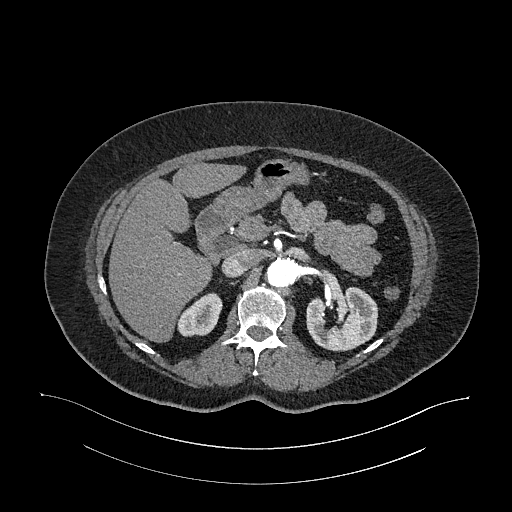
One axial slice (715 of 987, counting up from the lowest) of an arterial-phase abdominal CT acquired with 120 kVp, kernel I26f; each pixel is 0.977 mm and the slice is 1.00 mm thick.
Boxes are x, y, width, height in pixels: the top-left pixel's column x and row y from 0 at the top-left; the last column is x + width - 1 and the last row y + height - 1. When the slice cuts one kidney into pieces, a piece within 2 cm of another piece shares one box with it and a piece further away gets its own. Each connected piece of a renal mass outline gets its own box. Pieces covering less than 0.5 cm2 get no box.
Boxed on this slice (two kidney boxes), listed by box centre from the image's left to its right: (1) Right kidney, box x 177, y 292, width 46, height 45 (outlined area 1,393 px, about 13.3 cm2). (2) Left kidney, box x 306, y 286, width 73, height 66 (outlined area 3,520 px, about 33.6 cm2). This slice carries no renal mass outline.